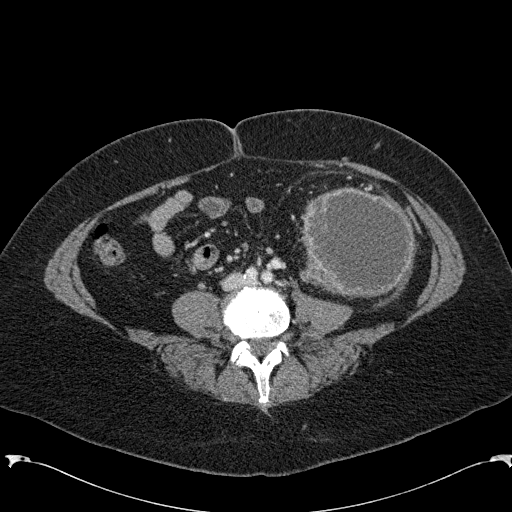
Axial slice 39 of 285 of a contrast-enhanced abdominal CT in the arterial phase (slice 1 is the lowest), 120 kVp, kernel B31f; 2.00 mm slice thickness and 0.762 mm pixels.
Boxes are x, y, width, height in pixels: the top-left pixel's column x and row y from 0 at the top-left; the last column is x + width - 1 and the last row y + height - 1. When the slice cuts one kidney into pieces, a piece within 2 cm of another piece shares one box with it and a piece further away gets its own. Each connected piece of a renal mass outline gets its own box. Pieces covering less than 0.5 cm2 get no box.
Left renal mass, box x 298, y 186, width 119, height 113 (outlined area 10,480 px, about 60.8 cm2); no kidney is outlined on this slice, but the same outlined renal mass comes within 1 cm of the kidney on another slice.